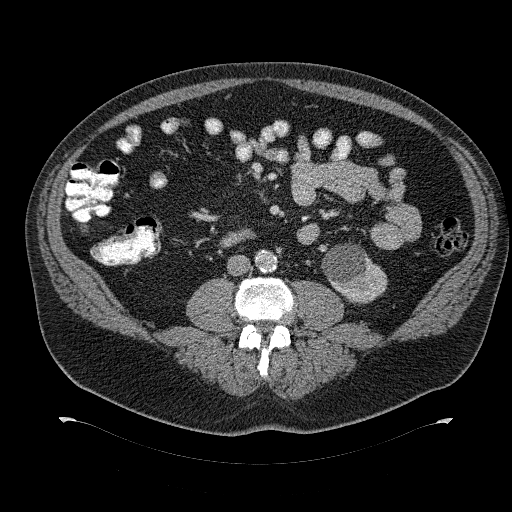
Axial slice 154 of 274 of a contrast-enhanced abdominal CT (slice 1 is the lowest), 120 kVp, kernel B31f; 2.00 mm slice thickness and 0.977 mm pixels.
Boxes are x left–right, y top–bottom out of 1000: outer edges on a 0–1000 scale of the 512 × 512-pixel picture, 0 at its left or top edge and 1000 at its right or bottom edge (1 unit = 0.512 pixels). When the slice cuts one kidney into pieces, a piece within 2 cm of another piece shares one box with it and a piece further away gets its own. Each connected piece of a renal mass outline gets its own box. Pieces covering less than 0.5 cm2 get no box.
Left kidney at x 627–758, y 475–596 out of 1000 (outlined area 2,738 px, about 26.1 cm2). No renal mass outline on this slice.